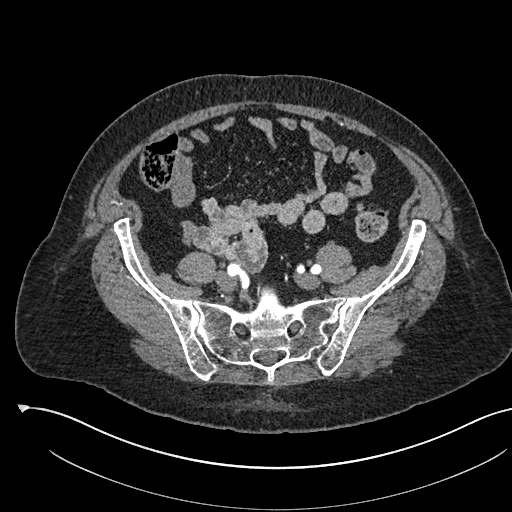
One axial slice (102 of 541, counting up from the lowest) of an arterial-phase abdominal CT acquired with 120 kVp, kernel I30f; each pixel is 0.834 mm and the slice is 1.00 mm thick.
No kidney and no renal mass is outlined on this slice; the outlines in this scan cover only the kidneys and the renal masses, so nothing is said about any other organ.